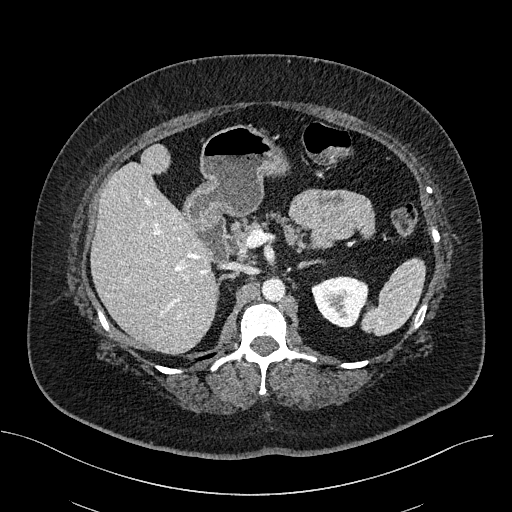
Axial slice 331 of 470 of a contrast-enhanced abdominal CT (slice 1 is the lowest), 100 kVp, kernel I40f; 2.00 mm slice thickness and 0.824 mm pixels.
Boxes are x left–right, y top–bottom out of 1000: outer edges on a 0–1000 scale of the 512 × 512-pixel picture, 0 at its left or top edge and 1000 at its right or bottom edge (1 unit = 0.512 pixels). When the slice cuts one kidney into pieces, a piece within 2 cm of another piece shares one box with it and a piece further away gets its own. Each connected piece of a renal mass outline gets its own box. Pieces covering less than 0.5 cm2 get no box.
Left kidney, box x 607–721, y 539–641 out of 1000 (outlined area 2,205 px, about 15.0 cm2). This slice carries no renal mass outline.